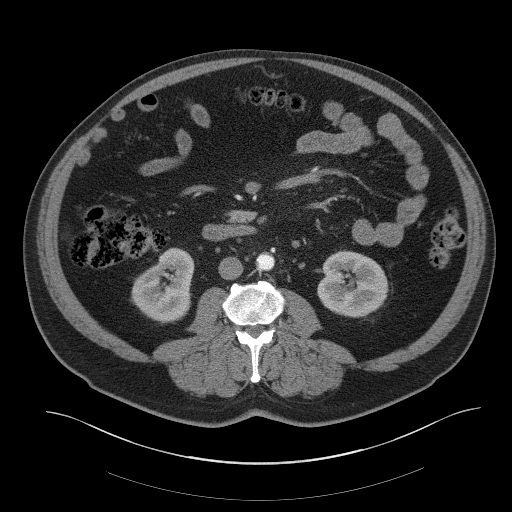
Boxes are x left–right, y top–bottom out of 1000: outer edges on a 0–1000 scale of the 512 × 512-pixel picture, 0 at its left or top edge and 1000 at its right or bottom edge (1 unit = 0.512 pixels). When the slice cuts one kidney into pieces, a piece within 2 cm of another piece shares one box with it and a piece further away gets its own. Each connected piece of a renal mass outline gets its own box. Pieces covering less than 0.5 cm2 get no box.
Contrast-enhanced abdominal CT, axial slice 16 of 61 (counted from the lowest slice); 3.00 mm thick, 0.939 mm per pixel. Two boxes on this slice (two kidney boxes), listed by box centre from the image's left to its right. (1) Right kidney, box x 256–381, y 482–633 out of 1000 (outlined area 3,436 px, about 30.3 cm2). (2) Left kidney, box x 619–760, y 488–621 out of 1000 (outlined area 3,749 px, about 33.1 cm2). This slice carries no renal mass outline.
Tube voltage 140 kVp; convolution kernel B41f.